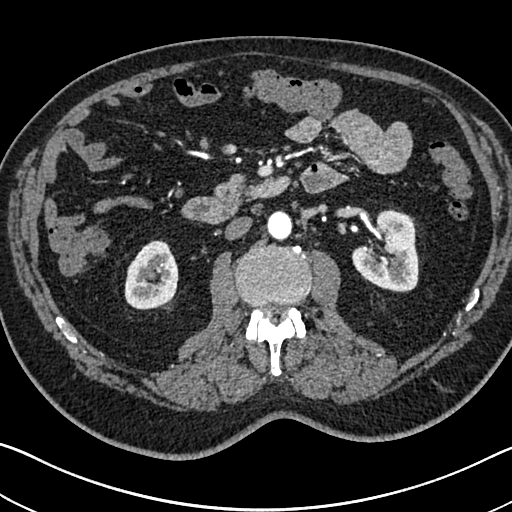
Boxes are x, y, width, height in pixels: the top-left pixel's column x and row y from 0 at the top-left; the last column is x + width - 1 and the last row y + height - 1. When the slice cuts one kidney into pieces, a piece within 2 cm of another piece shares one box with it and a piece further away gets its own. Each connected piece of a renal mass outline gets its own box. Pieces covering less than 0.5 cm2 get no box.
Arterial-phase contrast-enhanced abdominal CT, axial slice 395 of 705 (counted from the lowest slice); 1.00 mm thick, 0.703 mm per pixel. Two boxes on this slice (two kidney boxes), listed by box centre from the image's left to its right. (1) Right kidney, box x 124, y 240, width 55, height 70 (outlined area 2,955 px, about 14.6 cm2). (2) Box x 351, y 209, width 68, height 84: left kidney (outlined area 4,032 px, about 19.9 cm2). No renal mass outline on this slice.
Scan settings: 120 kVp, I30f reconstruction kernel.